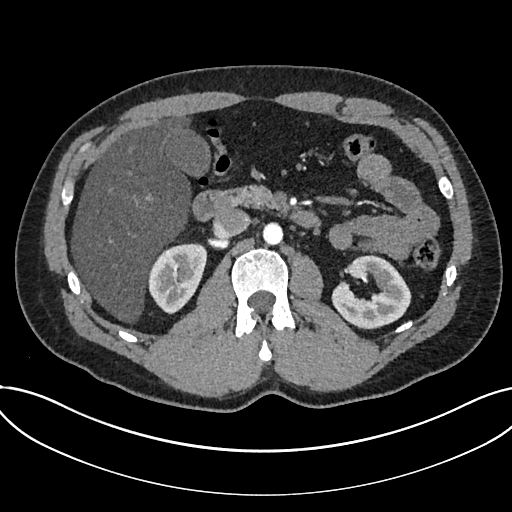
Abdominal CT with intravenous contrast, arterial phase, axial plane, 120 kVp, kernel I30f. Slice 434/735 from the bottom of the scan; thickness 1.00 mm; pixel size 0.789 mm.
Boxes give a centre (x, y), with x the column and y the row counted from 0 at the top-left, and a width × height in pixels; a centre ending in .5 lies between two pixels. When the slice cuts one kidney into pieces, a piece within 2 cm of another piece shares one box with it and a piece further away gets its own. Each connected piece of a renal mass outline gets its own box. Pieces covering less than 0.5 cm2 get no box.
Two kidney boxes on this slice; by box centre, from the image's left to its right: (1) Box centre (177, 278.5), 61 × 72 pixels: kidney (outlined area 3,029 px, about 18.9 cm2). (2) Box centre (371, 291.5), 81 × 76 pixels: kidney (outlined area 3,919 px, about 24.4 cm2). No renal mass outline on this slice.